One axial slice (74 of 96, counting up from the lowest) of an arterial-phase abdominal CT acquired with 120 kVp, kernel STANDARD; each pixel is 0.689 mm and the slice is 2.50 mm thick.
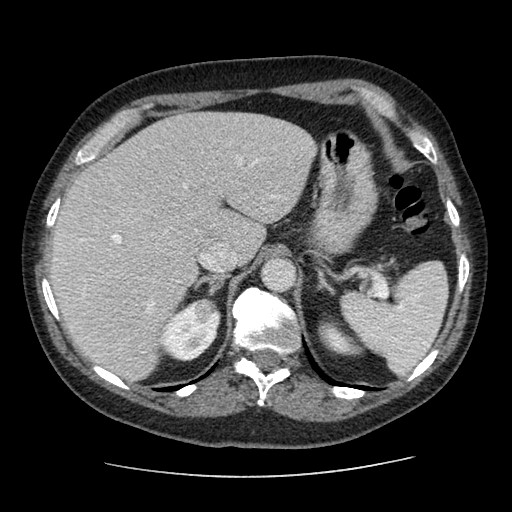
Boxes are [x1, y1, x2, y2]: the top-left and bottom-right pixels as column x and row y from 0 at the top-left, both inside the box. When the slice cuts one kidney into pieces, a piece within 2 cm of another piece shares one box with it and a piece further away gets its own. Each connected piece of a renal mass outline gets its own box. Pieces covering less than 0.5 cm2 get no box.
Three boxes on this slice (two kidney boxes and one renal mass box), listed by box centre from the image's left to its right. (1) Right kidney, box [160, 299, 221, 361] (outlined area 2,372 px, about 11.3 cm2). (2) Box [193, 298, 217, 323]: right renal mass (outlined area 434 px, about 2.1 cm2). (3) Left kidney at [318, 320, 366, 356] (outlined area 1,069 px, about 5.1 cm2).